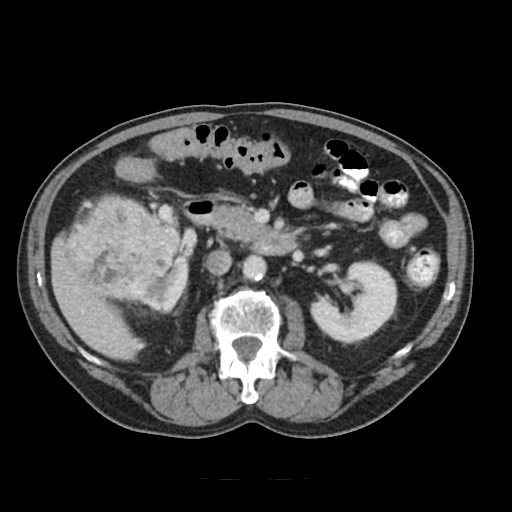
One axial slice (61 of 91, counting up from the lowest) of a contrast-enhanced abdominal CT acquired with 120 kVp, kernel FC18; each pixel is 0.766 mm and the slice is 5.00 mm thick.
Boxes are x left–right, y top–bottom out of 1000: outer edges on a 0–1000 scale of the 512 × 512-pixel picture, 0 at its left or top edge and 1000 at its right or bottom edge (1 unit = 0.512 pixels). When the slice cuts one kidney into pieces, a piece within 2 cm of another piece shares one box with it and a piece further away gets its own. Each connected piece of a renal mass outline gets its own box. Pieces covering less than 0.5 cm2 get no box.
Boxed on this slice (two kidney boxes and one renal mass box), listed by box centre from the image's left to its right: (1) Box x 131–352, y 381–588 out of 1000: right renal mass (outlined area 8,247 px, about 48.4 cm2). (2) Box x 268–371, y 494–609 out of 1000: right kidney (outlined area 1,461 px, about 8.6 cm2). (3) Left kidney, box x 604–779, y 510–672 out of 1000 (outlined area 4,931 px, about 28.9 cm2).